Axial slice 101 of 186 of a contrast-enhanced abdominal CT (slice 1 is the lowest), 120 kVp, kernel STANDARD; 2.50 mm slice thickness and 0.850 mm pixels.
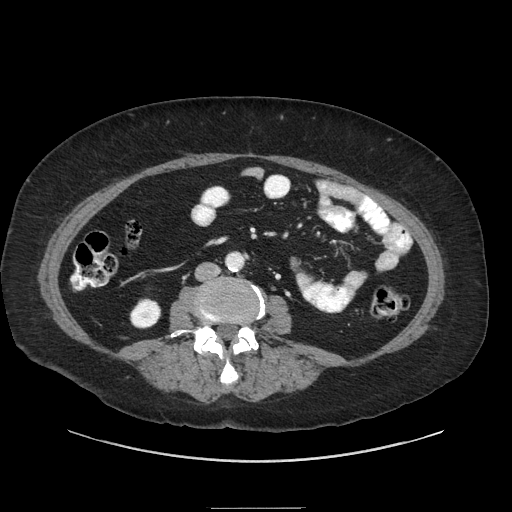
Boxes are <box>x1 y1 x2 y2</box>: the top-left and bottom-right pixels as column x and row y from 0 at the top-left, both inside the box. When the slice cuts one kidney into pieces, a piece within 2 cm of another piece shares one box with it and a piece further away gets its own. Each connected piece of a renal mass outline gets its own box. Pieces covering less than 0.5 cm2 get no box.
Right kidney at <box>129 298 161 328</box> (outlined area 769 px, about 5.6 cm2). This slice carries no renal mass outline.